Contrast-enhanced abdominal CT, axial slice 53 of 103 (counted from the lowest slice); tube voltage 120 kVp, convolution kernel STANDARD; slices 2.50 mm thick, 0.820 mm per pixel.
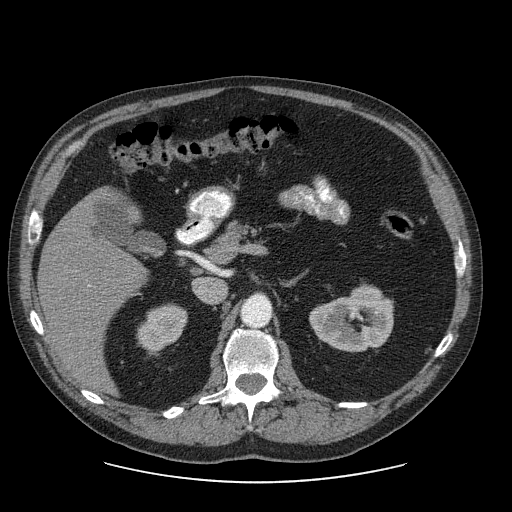
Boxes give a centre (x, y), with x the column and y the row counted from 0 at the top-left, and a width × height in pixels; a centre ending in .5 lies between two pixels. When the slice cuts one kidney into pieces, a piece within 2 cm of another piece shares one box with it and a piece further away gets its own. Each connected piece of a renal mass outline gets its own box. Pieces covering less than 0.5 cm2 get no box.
Two kidney boxes on this slice; by box centre, from the image's left to its right: (1) Right kidney in a box with centre (161.5, 326.5), 52 × 46 pixels (outlined area 1,730 px, about 11.6 cm2). (2) Box centre (351, 318.5), 85 × 68 pixels: left kidney (outlined area 4,100 px, about 27.6 cm2). This slice carries no renal mass outline.